One axial slice (386 of 532, counting up from the lowest) of an arterial-phase abdominal CT acquired with 120 kVp, kernel B30f; each pixel is 0.713 mm and the slice is 1.00 mm thick.
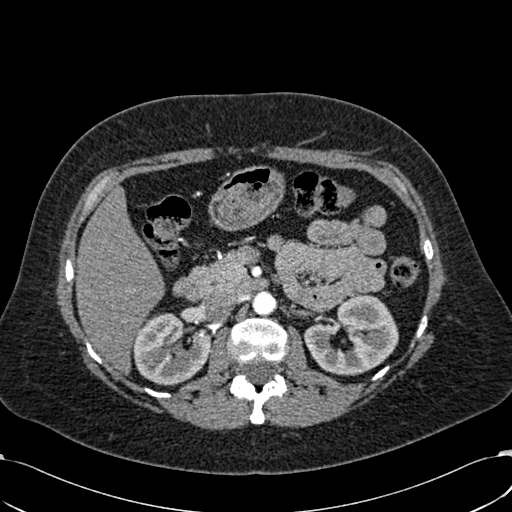
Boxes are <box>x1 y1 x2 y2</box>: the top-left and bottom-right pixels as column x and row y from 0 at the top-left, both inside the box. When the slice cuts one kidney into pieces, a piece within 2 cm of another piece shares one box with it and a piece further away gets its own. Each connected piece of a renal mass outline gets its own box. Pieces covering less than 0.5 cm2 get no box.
Two kidney boxes on this slice; by box centre, from the image's left to its right: (1) Right kidney at <box>132 313 211 385</box> (outlined area 4,219 px, about 21.4 cm2). (2) Left kidney at <box>303 293 398 375</box> (outlined area 5,175 px, about 26.3 cm2). No renal mass outline on this slice.